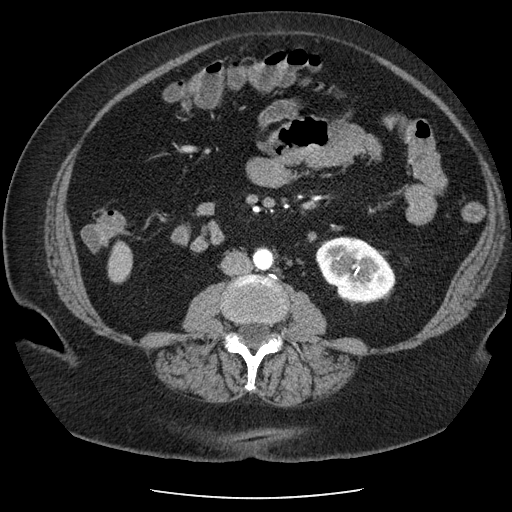
Axial slice 105 of 186 of a contrast-enhanced abdominal CT in the arterial phase (slice 1 is the lowest), 120 kVp, kernel STANDARD; 2.50 mm slice thickness and 0.742 mm pixels.
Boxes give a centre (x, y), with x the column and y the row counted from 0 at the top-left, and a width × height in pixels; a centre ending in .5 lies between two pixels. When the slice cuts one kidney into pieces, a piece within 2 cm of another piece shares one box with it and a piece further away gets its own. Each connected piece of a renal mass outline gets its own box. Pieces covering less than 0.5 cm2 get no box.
Left kidney in a box with centre (355, 270), 81 × 69 pixels (outlined area 3,955 px, about 21.8 cm2). This slice carries no renal mass outline.